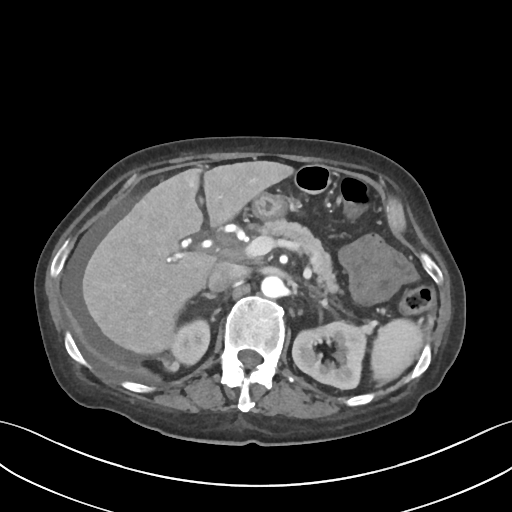
Abdominal CT with intravenous contrast, axial plane, 120 kVp, kernel I30f. Slice 55/109 from the bottom of the scan; thickness 3.00 mm; pixel size 0.742 mm.
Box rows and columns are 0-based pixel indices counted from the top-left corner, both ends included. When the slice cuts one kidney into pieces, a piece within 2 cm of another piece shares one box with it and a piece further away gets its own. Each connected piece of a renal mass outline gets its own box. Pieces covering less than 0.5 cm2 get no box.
Three boxes on this slice (two kidney boxes and one renal mass box), listed by box centre from the image's left to its right. (1) Right renal mass at rows 353–372, columns 160–180 (outlined area 269 px, about 1.5 cm2). (2) Right kidney, box rows 319–365, columns 170–210 (outlined area 1,417 px, about 7.8 cm2). (3) Left kidney at rows 319–390, columns 291–367 (outlined area 3,924 px, about 21.6 cm2).